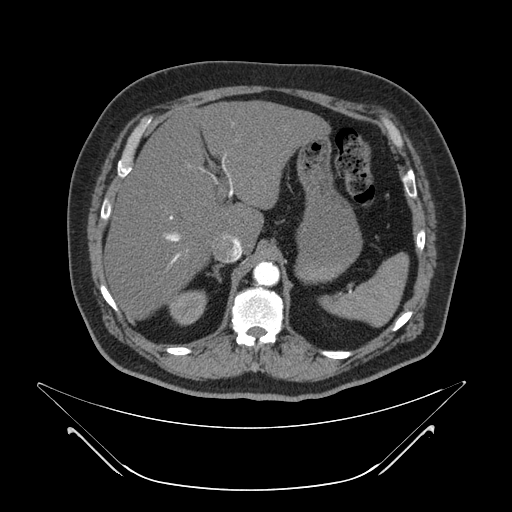
One axial slice (43 of 64, counting up from the lowest) of a contrast-enhanced abdominal CT acquired with 120 kVp, kernel B; each pixel is 0.977 mm and the slice is 4.00 mm thick.
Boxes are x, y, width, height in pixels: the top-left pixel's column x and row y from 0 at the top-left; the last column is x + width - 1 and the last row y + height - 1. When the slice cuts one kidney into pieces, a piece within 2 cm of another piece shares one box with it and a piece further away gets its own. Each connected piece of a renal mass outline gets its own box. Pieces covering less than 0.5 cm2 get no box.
Box x 168, y 290, width 40, height 36: right kidney (outlined area 1,054 px, about 10.1 cm2). No renal mass outline on this slice.